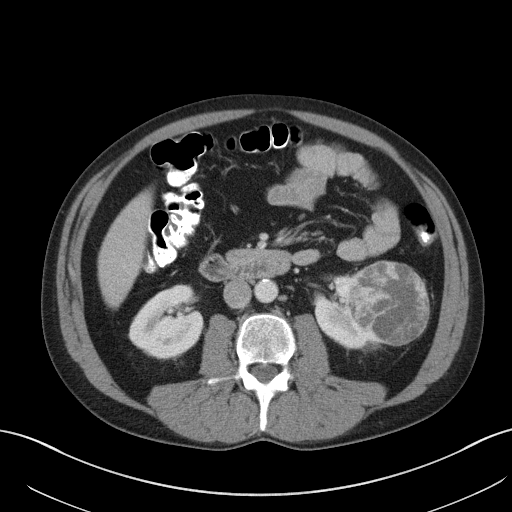
Axial slice 55 of 131 of a contrast-enhanced abdominal CT in the arterial phase (slice 1 is the lowest), 120 kVp, kernel B41f; 5.00 mm slice thickness and 0.760 mm pixels.
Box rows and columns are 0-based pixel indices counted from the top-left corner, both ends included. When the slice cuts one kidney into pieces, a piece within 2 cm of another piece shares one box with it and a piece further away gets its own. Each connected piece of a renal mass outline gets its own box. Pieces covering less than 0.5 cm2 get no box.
Three boxes on this slice (two kidney boxes and one renal mass box), listed by box centre from the image's left to its right. (1) Right kidney, box rows 284–358, columns 129–203 (outlined area 3,994 px, about 23.1 cm2). (2) Left kidney, box rows 275–348, columns 314–378 (outlined area 2,253 px, about 13.0 cm2). (3) Left renal mass at rows 261–345, columns 347–429 (outlined area 5,476 px, about 31.6 cm2).